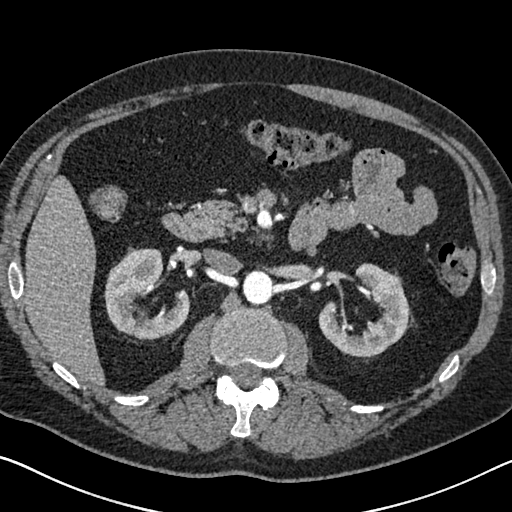
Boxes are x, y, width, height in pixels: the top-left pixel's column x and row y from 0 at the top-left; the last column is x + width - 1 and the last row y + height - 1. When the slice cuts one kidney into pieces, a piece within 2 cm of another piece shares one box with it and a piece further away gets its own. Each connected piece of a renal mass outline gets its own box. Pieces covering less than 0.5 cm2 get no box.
This is axial slice 417 of 626 (slice 1 is the lowest) of an arterial-phase abdominal CT with contrast; each pixel is 0.703 mm and the slice is 1.00 mm thick. Boxed on this slice (two kidney boxes), listed by box centre from the image's left to its right: (1) Right kidney at x 104, y 247, width 86, height 93 (outlined area 4,915 px, about 24.3 cm2). (2) Left kidney, box x 318, y 263, width 92, height 95 (outlined area 4,858 px, about 24.0 cm2). No renal mass is outlined on this slice.
Acquired at 120 kVp and reconstructed with the I30f kernel.